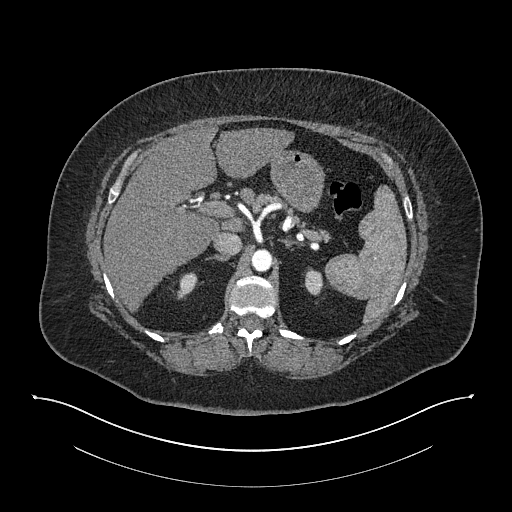
Axial slice 571 of 673 of a contrast-enhanced abdominal CT in the arterial phase (slice 1 is the lowest), 140 kVp, kernel I30f; 1.00 mm slice thickness and 0.957 mm pixels.
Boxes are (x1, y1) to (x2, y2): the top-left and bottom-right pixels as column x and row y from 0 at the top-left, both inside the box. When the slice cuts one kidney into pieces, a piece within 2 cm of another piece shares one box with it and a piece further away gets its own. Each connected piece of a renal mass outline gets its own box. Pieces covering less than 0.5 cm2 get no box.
Two kidney boxes on this slice; by box centre, from the image's left to its right: (1) Right kidney, box (177, 272) to (197, 299) (outlined area 381 px, about 3.5 cm2). (2) Left kidney, box (304, 267) to (323, 295) (outlined area 415 px, about 3.8 cm2). No renal mass is outlined on this slice.